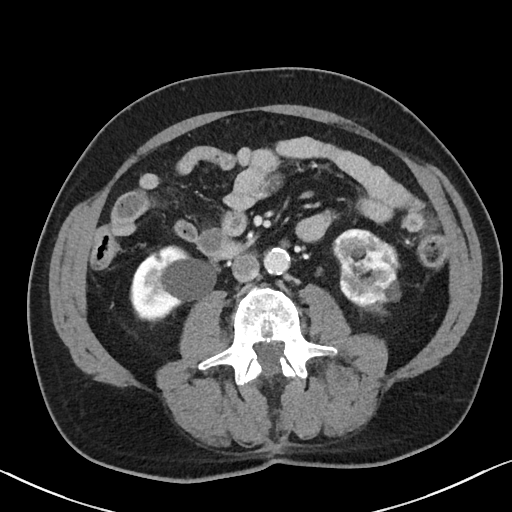
One axial slice (51 of 90, counting up from the lowest) of a contrast-enhanced abdominal CT acquired with 100 kVp, kernel I40f; each pixel is 0.684 mm and the slice is 5.00 mm thick.
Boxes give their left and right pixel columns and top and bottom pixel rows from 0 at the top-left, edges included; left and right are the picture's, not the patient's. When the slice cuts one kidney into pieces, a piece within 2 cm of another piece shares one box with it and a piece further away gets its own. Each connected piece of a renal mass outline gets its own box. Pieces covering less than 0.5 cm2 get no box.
Boxed on this slice (two kidney boxes), listed by box centre from the image's left to its right: (1) Box with left 129, top 245, right 216, bottom 320: right kidney (outlined area 4,454 px, about 20.8 cm2). (2) Left kidney in the box with left 332, top 228, right 400, bottom 315 (outlined area 4,342 px, about 20.3 cm2). This slice carries no renal mass outline.